Abdominal CT with intravenous contrast, arterial phase, axial plane, 120 kVp, kernel B30f. Slice 440/532 from the bottom of the scan; thickness 1.00 mm; pixel size 0.713 mm.
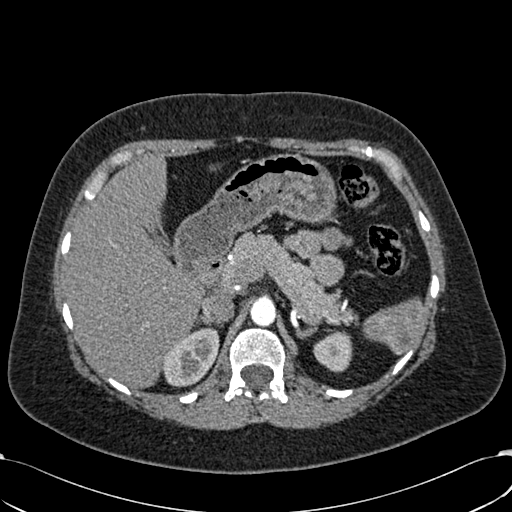
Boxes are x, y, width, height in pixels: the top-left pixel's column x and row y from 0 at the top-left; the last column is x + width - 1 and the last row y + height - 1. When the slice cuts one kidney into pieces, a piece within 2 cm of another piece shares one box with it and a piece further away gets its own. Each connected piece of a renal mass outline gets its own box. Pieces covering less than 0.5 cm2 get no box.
Two boxes on this slice (two kidney boxes), listed by box centre from the image's left to its right. (1) Box x 163, y 326, width 57, height 62: right kidney (outlined area 2,399 px, about 12.2 cm2). (2) Left kidney at x 313, y 330, width 40, height 43 (outlined area 1,233 px, about 6.3 cm2). This slice carries no renal mass outline.